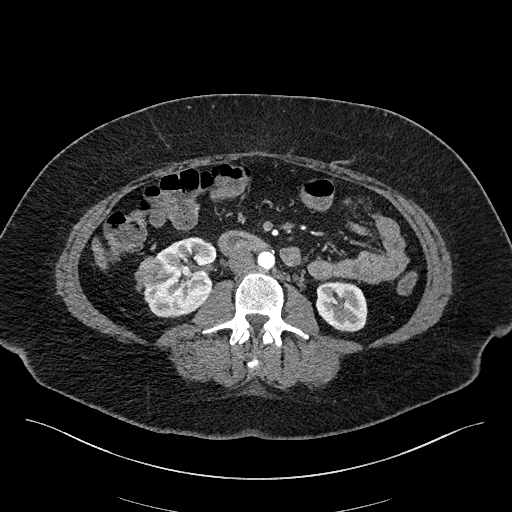
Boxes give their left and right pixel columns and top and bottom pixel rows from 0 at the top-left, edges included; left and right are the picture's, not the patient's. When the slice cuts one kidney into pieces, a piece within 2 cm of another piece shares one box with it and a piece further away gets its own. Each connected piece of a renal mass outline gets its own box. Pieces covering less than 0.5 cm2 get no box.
Arterial-phase contrast-enhanced abdominal CT, axial slice 79 of 270 (counted from the lowest slice); 2.00 mm thick, 0.855 mm per pixel. Three boxes on this slice (two kidney boxes and one renal mass box), listed by box centre from the image's left to its right. (1) Right renal mass, the box with left 135, top 256, right 166, bottom 287 (outlined area 724 px, about 5.3 cm2). (2) Right kidney, the box with left 143, top 237, right 217, bottom 317 (outlined area 4,069 px, about 29.8 cm2). (3) Left kidney in the box with left 316, top 281, right 367, bottom 332 (outlined area 2,141 px, about 15.7 cm2).
Acquired at 100 kVp and reconstructed with the I40f kernel.